Arterial-phase contrast-enhanced abdominal CT, axial slice 342 of 673 (counted from the lowest slice); tube voltage 140 kVp, convolution kernel I30f; slices 1.00 mm thick, 0.957 mm per pixel.
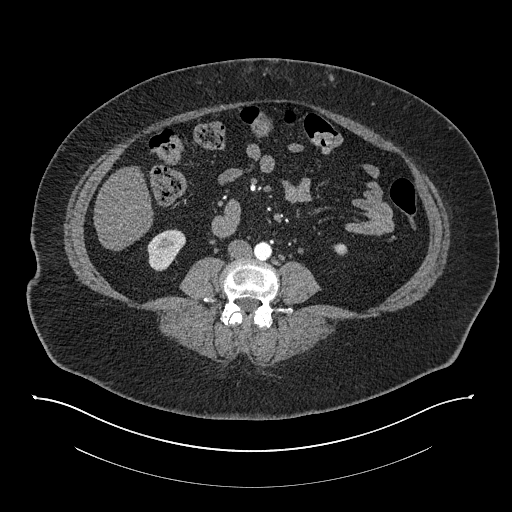
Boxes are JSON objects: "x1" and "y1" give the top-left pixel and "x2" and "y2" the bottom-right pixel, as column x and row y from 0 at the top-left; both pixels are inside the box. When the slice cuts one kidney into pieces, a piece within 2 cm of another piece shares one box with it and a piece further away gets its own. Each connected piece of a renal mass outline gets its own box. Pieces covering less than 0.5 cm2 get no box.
Boxed on this slice (two kidney boxes), listed by box centre from the image's left to its right: (1) Right kidney at {"x1": 147, "y1": 229, "x2": 185, "y2": 271} (outlined area 1,152 px, about 10.6 cm2). (2) Box {"x1": 333, "y1": 243, "x2": 347, "y2": 255}: left kidney (outlined area 135 px, about 1.2 cm2). No renal mass is outlined on this slice.